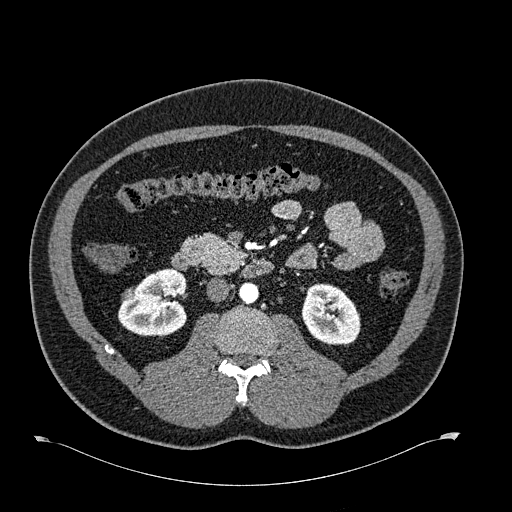
Axial slice 337 of 723 of a contrast-enhanced abdominal CT in the arterial phase (slice 1 is the lowest), 120 kVp, kernel B30f; 1.00 mm slice thickness and 0.895 mm pixels.
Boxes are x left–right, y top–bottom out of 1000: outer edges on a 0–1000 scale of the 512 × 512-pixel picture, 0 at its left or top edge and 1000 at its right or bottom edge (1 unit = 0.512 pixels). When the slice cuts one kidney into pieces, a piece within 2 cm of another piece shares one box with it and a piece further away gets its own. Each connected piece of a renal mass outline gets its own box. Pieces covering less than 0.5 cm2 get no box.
Boxed on this slice (two kidney boxes and one renal mass box), listed by box centre from the image's left to its right: (1) Right renal mass at x 236–266, y 563–590 out of 1000 (outlined area 152 px, about 1.2 cm2). (2) Box x 230–367, y 523–660 out of 1000: right kidney (outlined area 3,553 px, about 28.4 cm2). (3) Left kidney at x 588–705, y 553–676 out of 1000 (outlined area 2,842 px, about 22.7 cm2).